One axial slice (46 of 103, counting up from the lowest) of a contrast-enhanced abdominal CT acquired with 120 kVp, kernel B31f; each pixel is 0.801 mm and the slice is 5.00 mm thick.
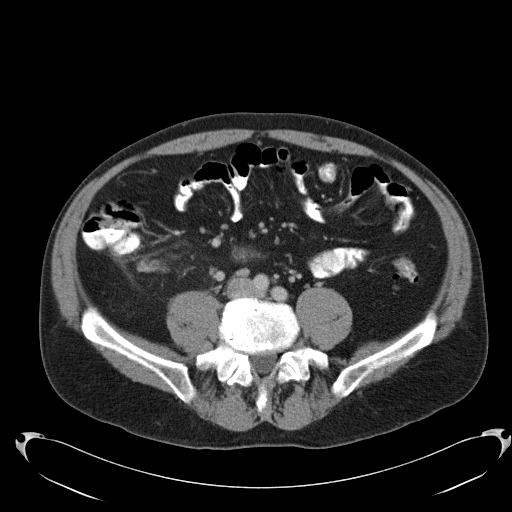
Outside the outlined region: no kidney outline and no renal mass outline on this slice. The scan's outlines cover only kidneys and renal masses; no other organ is outlined.